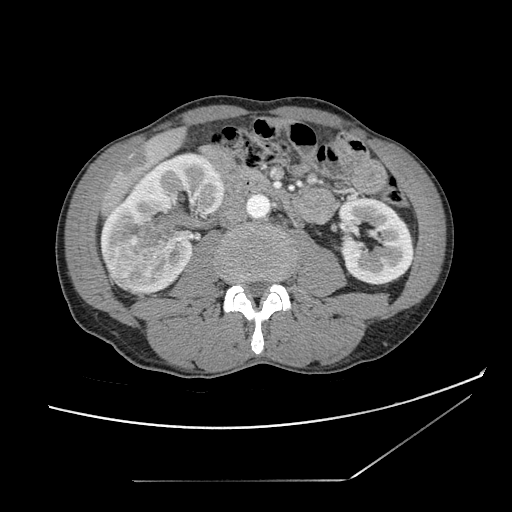
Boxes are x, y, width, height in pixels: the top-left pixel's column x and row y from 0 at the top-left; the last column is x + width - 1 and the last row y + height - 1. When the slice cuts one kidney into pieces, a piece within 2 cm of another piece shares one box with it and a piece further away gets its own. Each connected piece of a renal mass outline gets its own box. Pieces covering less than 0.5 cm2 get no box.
Slice 51/121 of a contrast-enhanced abdominal CT, counting up from the lowest; pixel size 0.742 mm, slice thickness 2.50 mm. Boxed on this slice (two kidney boxes and one renal mass box), listed by box centre from the image's left to its right: (1) Box x 127, y 225, width 50, height 39: right renal mass (outlined area 1,449 px, about 8.0 cm2). (2) Right kidney, box x 100, y 151, width 124, height 144 (outlined area 10,355 px, about 57.0 cm2). (3) Left kidney at x 338, y 196, width 76, height 90 (outlined area 5,295 px, about 29.2 cm2).
Scan settings: 120 kVp, STANDARD reconstruction kernel.